One axial slice (228 of 470, counting up from the lowest) of an arterial-phase abdominal CT acquired with 120 kVp, kernel I26f; each pixel is 0.938 mm and the slice is 1.00 mm thick.
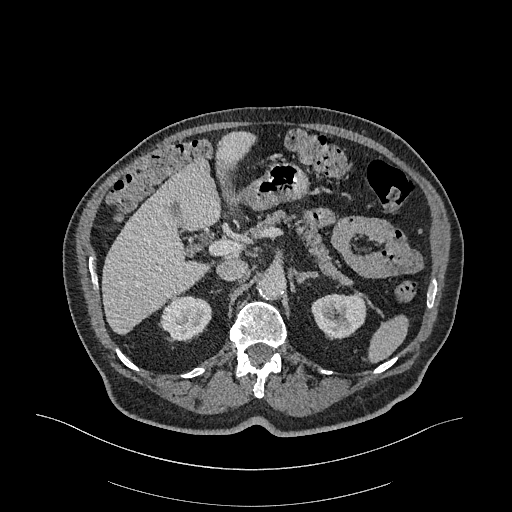
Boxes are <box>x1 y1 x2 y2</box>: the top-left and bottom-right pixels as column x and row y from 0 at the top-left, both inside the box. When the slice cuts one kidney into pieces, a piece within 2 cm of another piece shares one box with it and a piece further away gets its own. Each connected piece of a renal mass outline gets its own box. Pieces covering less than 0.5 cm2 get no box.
Two boxes on this slice (two kidney boxes), listed by box centre from the image's left to its right. (1) Right kidney at <box>161 294 212 340</box> (outlined area 1,794 px, about 15.8 cm2). (2) At <box>311 293 366 338</box>: left kidney (outlined area 1,980 px, about 17.4 cm2). This slice carries no renal mass outline.